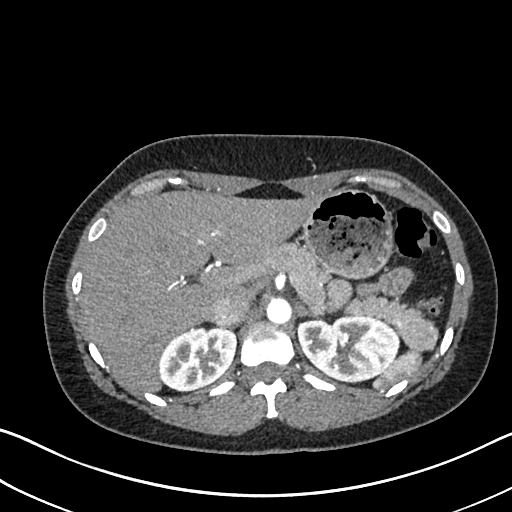
One axial slice (502 of 612, counting up from the lowest) of an arterial-phase abdominal CT acquired with 120 kVp, kernel I30f; each pixel is 0.703 mm and the slice is 1.00 mm thick.
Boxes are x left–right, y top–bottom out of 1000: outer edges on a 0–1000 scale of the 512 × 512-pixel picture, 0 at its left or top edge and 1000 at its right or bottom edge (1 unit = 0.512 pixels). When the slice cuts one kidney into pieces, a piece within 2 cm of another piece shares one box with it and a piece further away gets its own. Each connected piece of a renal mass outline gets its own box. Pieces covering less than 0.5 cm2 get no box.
Two kidney boxes on this slice; by box centre, from the image's left to its right: (1) Right kidney, box x 311–461, y 639–768 out of 1000 (outlined area 3,804 px, about 18.8 cm2). (2) Left kidney, box x 578–781, y 615–748 out of 1000 (outlined area 5,429 px, about 26.8 cm2). This slice carries no renal mass outline.